One axial slice (124 of 302, counting up from the lowest) of an arterial-phase abdominal CT acquired with 100 kVp, kernel I30f; each pixel is 0.875 mm and the slice is 5.00 mm thick.
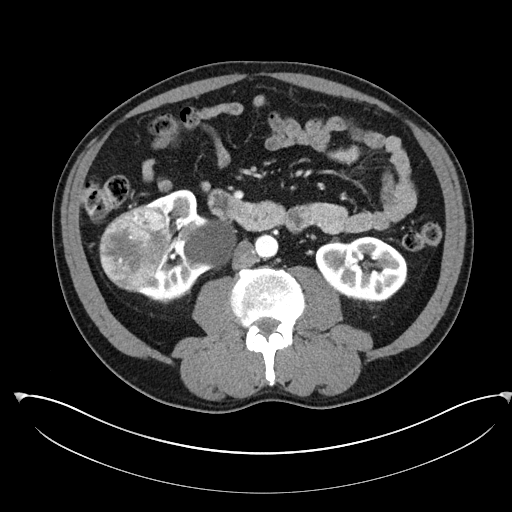
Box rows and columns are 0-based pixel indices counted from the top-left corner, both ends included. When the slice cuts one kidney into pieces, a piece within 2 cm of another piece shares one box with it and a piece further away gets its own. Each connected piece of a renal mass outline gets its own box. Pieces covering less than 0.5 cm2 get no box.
Two kidney boxes and one renal mass box on this slice; by box centre, from the image's left to its right: (1) Right renal mass at rows 205–292, columns 99–171 (outlined area 4,531 px, about 34.7 cm2). (2) Box rows 189–302, columns 138–236: right kidney (outlined area 5,816 px, about 44.5 cm2). (3) Left kidney, box rows 236–302, columns 315–407 (outlined area 4,639 px, about 35.5 cm2).